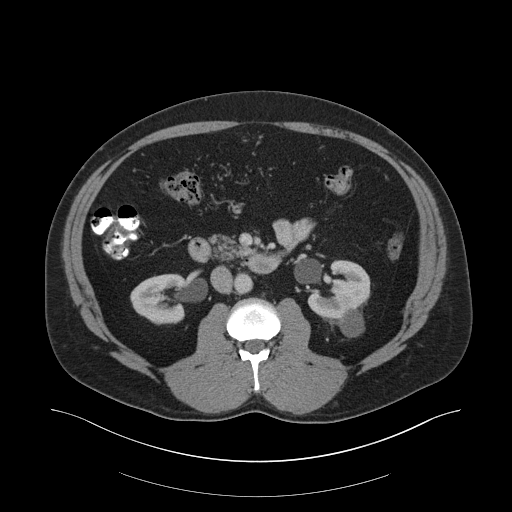
Abdominal CT with intravenous contrast, arterial phase, axial plane, 140 kVp, kernel B30f. Slice 102/159 from the bottom of the scan; thickness 3.00 mm; pixel size 0.977 mm.
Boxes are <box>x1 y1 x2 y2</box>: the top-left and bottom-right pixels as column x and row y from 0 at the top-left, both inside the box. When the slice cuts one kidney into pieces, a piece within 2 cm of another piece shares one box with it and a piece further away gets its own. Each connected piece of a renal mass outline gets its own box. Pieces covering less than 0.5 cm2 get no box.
Three boxes on this slice (two kidney boxes and one renal mass box), listed by box centre from the image's left to its right. (1) Right kidney: <box>130 274 186 324</box> (outlined area 2,243 px, about 21.4 cm2). (2) At <box>307 260 370 319</box>: left kidney (outlined area 2,502 px, about 23.9 cm2). (3) At <box>338 310 364 337</box>: left renal mass (outlined area 521 px, about 5.0 cm2).